Axial slice 196 of 314 of a contrast-enhanced abdominal CT (slice 1 is the lowest), 130 kVp, kernel B31s; 2.50 mm slice thickness and 0.934 mm pixels.
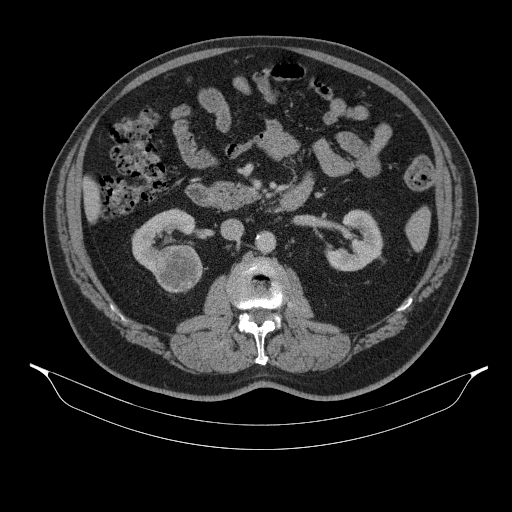
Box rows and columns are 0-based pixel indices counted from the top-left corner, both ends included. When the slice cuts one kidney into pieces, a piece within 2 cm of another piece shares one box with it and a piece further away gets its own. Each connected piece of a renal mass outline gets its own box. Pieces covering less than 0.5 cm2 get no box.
Three boxes on this slice (two kidney boxes and one renal mass box), listed by box centre from the image's left to its right. (1) Box rows 208–275, columns 132–196: right kidney (outlined area 2,186 px, about 19.1 cm2). (2) Right renal mass, box rows 245–292, columns 155–205 (outlined area 1,897 px, about 16.5 cm2). (3) Box rows 209–271, columns 324–383: left kidney (outlined area 2,341 px, about 20.4 cm2).